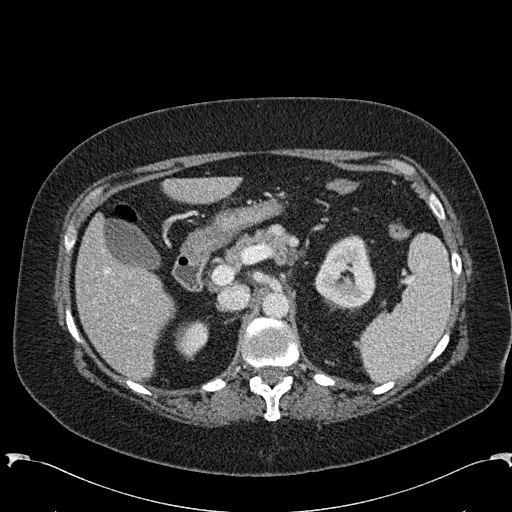
Abdominal CT with intravenous contrast, arterial phase, axial plane, 120 kVp, kernel B31f. Slice 169/285 from the bottom of the scan; thickness 2.00 mm; pixel size 0.762 mm.
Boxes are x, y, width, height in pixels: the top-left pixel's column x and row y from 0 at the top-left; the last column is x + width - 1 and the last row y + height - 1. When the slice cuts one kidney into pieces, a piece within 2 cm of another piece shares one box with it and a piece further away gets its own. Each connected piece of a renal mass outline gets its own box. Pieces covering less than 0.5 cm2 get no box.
Two boxes on this slice (two kidney boxes), listed by box centre from the image's left to its right. (1) Right kidney at x 174, y 320, width 35, height 41 (outlined area 977 px, about 5.7 cm2). (2) Left kidney, box x 314, y 234, width 62, height 76 (outlined area 3,337 px, about 19.4 cm2). No renal mass is outlined on this slice.